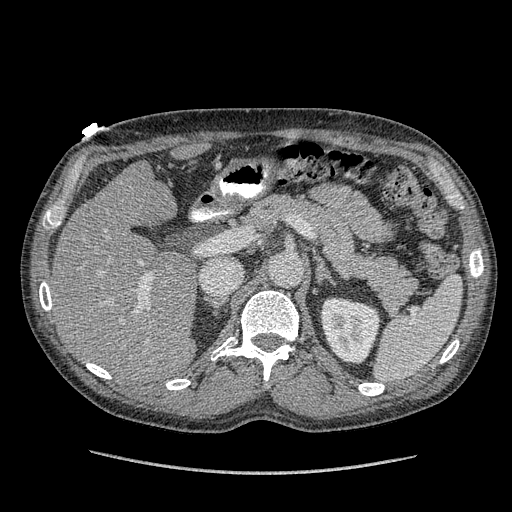
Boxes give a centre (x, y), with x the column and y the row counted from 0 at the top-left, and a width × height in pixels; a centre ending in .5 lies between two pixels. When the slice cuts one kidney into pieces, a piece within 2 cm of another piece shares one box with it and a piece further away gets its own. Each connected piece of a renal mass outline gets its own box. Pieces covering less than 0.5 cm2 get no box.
Arterial-phase contrast-enhanced abdominal CT, axial slice 249 of 349 (counted from the lowest slice); 1.25 mm thick, 0.742 mm per pixel. Box centre (350, 330.5), 61 × 68 pixels: left kidney (outlined area 3,136 px, about 17.3 cm2). No renal mass outline on this slice.
Tube voltage 120 kVp; convolution kernel STANDARD.